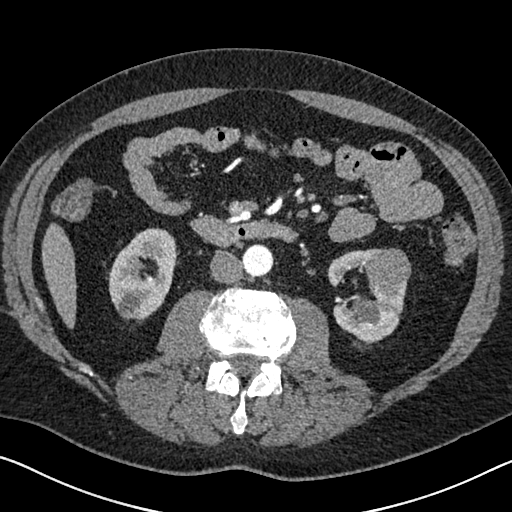
Arterial-phase contrast-enhanced abdominal CT, axial slice 334 of 626 (counted from the lowest slice); tube voltage 120 kVp, convolution kernel I30f; slices 1.00 mm thick, 0.703 mm per pixel.
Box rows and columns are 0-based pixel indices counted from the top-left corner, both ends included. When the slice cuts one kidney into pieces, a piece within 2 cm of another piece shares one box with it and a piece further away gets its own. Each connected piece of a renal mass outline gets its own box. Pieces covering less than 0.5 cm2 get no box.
Two kidney boxes and one renal mass box on this slice; by box centre, from the image's left to its right: (1) Right kidney at rows 228–323, columns 108–177 (outlined area 4,590 px, about 22.7 cm2). (2) Left kidney at rows 248–342, columns 327–407 (outlined area 3,907 px, about 19.3 cm2). (3) Left renal mass at rows 248–289, columns 364–411 (outlined area 1,537 px, about 7.6 cm2).